Arterial-phase contrast-enhanced abdominal CT, axial slice 192 of 316 (counted from the lowest slice); tube voltage 100 kVp, convolution kernel I40f; slices 2.00 mm thick, 0.840 mm per pixel.
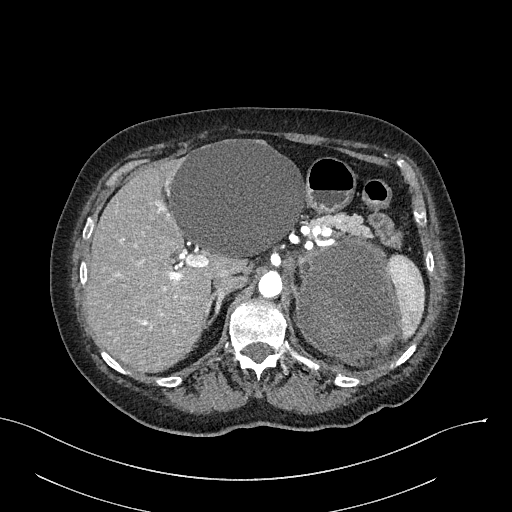
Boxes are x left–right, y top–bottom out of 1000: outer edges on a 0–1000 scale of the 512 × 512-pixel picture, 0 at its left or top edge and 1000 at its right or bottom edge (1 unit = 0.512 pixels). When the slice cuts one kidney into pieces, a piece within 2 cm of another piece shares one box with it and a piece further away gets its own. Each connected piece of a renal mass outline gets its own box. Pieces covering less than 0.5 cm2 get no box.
Left renal mass at x 576–783, y 461–711 out of 1000 (outlined area 10,522 px, about 74.2 cm2); no kidney is outlined on this slice, but the same outlined renal mass comes within 1 cm of the kidney on another slice.